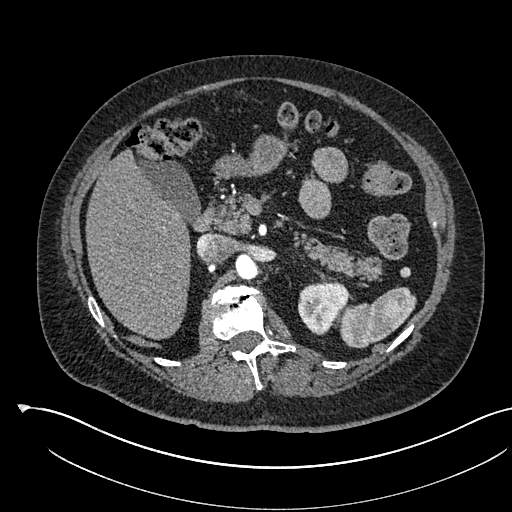
Abdominal CT with intravenous contrast, arterial phase, axial plane, 120 kVp, kernel I30f. Slice 372/541 from the bottom of the scan; thickness 1.00 mm; pixel size 0.834 mm.
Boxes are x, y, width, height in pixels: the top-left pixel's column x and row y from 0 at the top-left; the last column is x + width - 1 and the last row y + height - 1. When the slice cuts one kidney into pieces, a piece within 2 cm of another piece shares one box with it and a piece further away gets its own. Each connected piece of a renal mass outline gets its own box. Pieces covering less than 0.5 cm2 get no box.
Box x 298, y 280, width 51, height 56: left kidney (outlined area 2,000 px, about 13.9 cm2). No renal mass is outlined on this slice.